One axial slice (660 of 987, counting up from the lowest) of an arterial-phase abdominal CT acquired with 120 kVp, kernel I26f; each pixel is 0.977 mm and the slice is 1.00 mm thick.
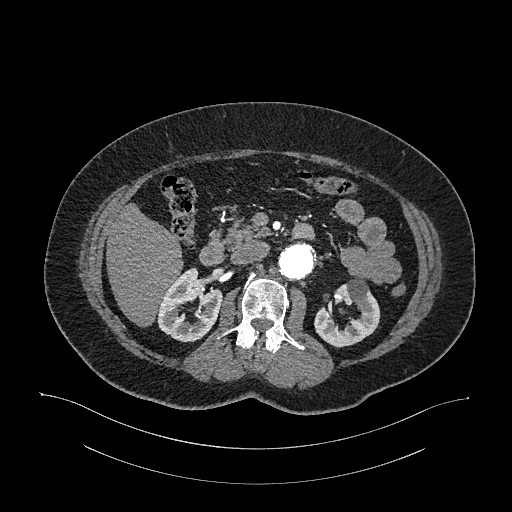
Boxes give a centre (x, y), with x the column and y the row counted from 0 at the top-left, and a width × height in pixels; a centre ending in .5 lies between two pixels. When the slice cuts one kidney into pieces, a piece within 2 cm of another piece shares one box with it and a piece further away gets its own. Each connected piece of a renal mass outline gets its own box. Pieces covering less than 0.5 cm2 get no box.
Boxed on this slice (two kidney boxes), listed by box centre from the image's left to its right: (1) Box centre (189.5, 304.5), 66 × 76 pixels: right kidney (outlined area 3,201 px, about 30.5 cm2). (2) Left kidney, box centre (347, 312.5), 67 × 70 pixels (outlined area 2,788 px, about 26.6 cm2). This slice carries no renal mass outline.